One axial slice (249 of 602, counting up from the lowest) of an arterial-phase abdominal CT acquired with 120 kVp, kernel I30f; each pixel is 0.799 mm and the slice is 1.00 mm thick.
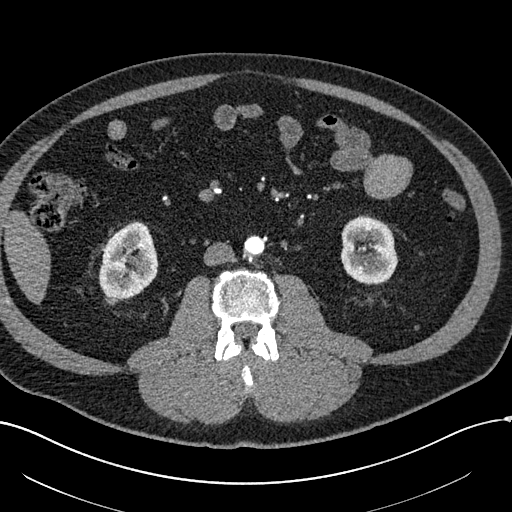
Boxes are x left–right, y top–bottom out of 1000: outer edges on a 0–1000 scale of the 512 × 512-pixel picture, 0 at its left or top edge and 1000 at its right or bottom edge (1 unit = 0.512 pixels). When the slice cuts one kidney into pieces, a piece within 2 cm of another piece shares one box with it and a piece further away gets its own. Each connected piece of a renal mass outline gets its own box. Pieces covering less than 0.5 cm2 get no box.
Two kidney boxes and one renal mass box on this slice; by box centre, from the image's left to its right: (1) Right renal mass at x 203–232, y 576–598 out of 1000 (outlined area 114 px, about 0.7 cm2). (2) Right kidney at x 191–309, y 432–588 out of 1000 (outlined area 3,498 px, about 22.3 cm2). (3) Left kidney at x 664–779, y 420–559 out of 1000 (outlined area 3,206 px, about 20.5 cm2).